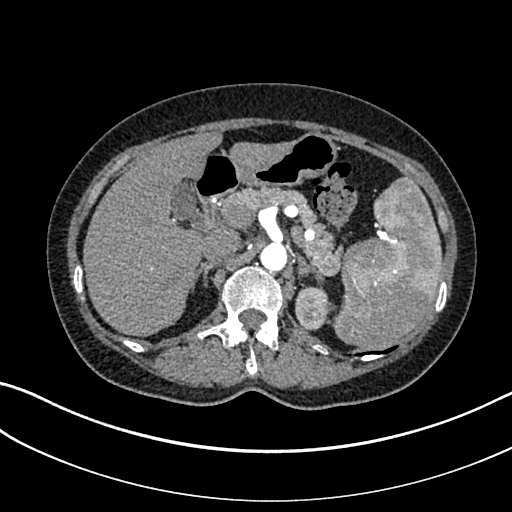
One axial slice (243 of 325, counting up from the lowest) of an arterial-phase abdominal CT acquired with 100 kVp, kernel I30f; each pixel is 0.703 mm and the slice is 1.00 mm thick.
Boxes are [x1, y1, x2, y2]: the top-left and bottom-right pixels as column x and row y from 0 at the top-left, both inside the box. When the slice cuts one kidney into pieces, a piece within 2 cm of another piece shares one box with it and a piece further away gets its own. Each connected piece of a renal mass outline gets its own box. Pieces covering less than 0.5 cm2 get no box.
Left kidney at [295, 286, 327, 329] (outlined area 1,200 px, about 5.9 cm2).